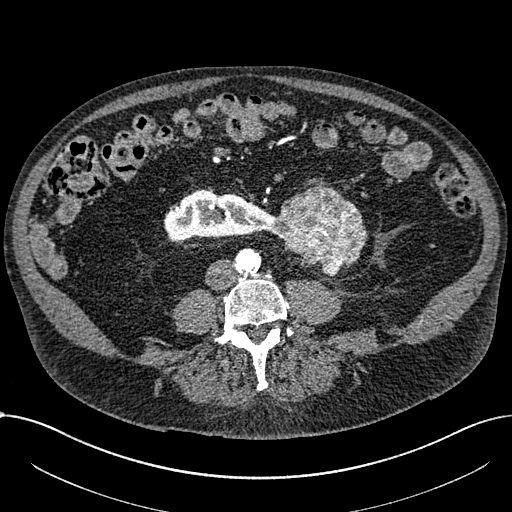
Arterial-phase contrast-enhanced abdominal CT, axial slice 253 of 1059 (counted from the lowest slice); tube voltage 100 kVp, convolution kernel I30f; slices 1.00 mm thick, 0.811 mm per pixel.
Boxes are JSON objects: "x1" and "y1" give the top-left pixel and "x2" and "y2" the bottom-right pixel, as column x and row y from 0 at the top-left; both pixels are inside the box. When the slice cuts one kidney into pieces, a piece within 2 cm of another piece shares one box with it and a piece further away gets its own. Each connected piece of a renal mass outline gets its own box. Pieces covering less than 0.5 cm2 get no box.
One kidney box and one renal mass box on this slice; by box centre, from the image's left to its right: (1) Right part of the midline-crossing kidney, box {"x1": 163, "y1": 189, "x2": 273, "y2": 241} (outlined area 4,048 px, about 26.6 cm2). (2) Renal mass at {"x1": 270, "y1": 183, "x2": 367, "y2": 276} (outlined area 5,928 px, about 38.9 cm2).